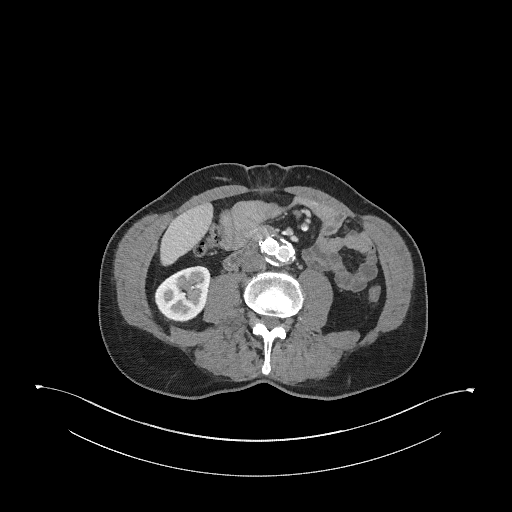
Abdominal CT with intravenous contrast, arterial phase, axial plane, 120 kVp, kernel I31f. Slice 131/345 from the bottom of the scan; thickness 2.00 mm; pixel size 0.977 mm.
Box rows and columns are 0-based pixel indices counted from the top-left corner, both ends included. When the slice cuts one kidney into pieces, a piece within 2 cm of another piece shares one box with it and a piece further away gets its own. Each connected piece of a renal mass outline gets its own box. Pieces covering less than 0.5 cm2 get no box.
Right kidney, box rows 265–322, columns 154–210 (outlined area 2,374 px, about 22.6 cm2). No renal mass outline on this slice.